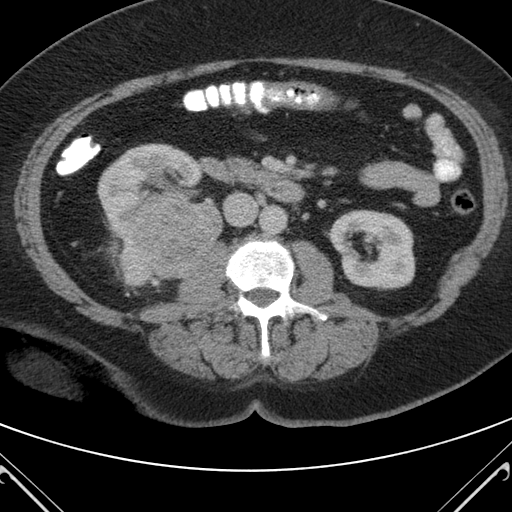
Axial slice 59 of 98 of a contrast-enhanced abdominal CT in the arterial phase (slice 1 is the lowest), 120 kVp, kernel B; 5.00 mm slice thickness and 0.703 mm pixels.
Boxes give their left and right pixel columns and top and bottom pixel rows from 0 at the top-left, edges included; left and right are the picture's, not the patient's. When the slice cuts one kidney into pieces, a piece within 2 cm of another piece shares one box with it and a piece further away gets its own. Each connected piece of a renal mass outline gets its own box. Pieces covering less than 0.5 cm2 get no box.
Boxed on this slice (two kidney boxes and one renal mass box), listed by box centre from the image's left to its right: (1) Right kidney in the box with left 97, top 143, right 220, bottom 241 (outlined area 5,986 px, about 29.6 cm2). (2) Right renal mass, the box with left 119, top 197, right 223, bottom 288 (outlined area 7,091 px, about 35.1 cm2). (3) Left kidney, the box with left 328, top 209, right 415, bottom 290 (outlined area 5,325 px, about 26.3 cm2).